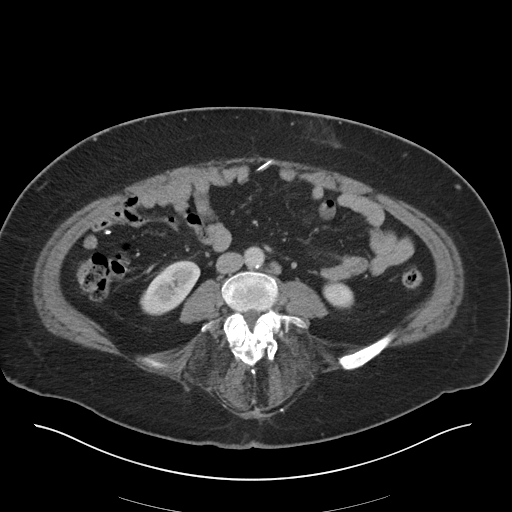
One axial slice (5 of 36, counting up from the lowest) of an arterial-phase abdominal CT acquired with 140 kVp, kernel I30f; each pixel is 0.906 mm and the slice is 5.00 mm thick.
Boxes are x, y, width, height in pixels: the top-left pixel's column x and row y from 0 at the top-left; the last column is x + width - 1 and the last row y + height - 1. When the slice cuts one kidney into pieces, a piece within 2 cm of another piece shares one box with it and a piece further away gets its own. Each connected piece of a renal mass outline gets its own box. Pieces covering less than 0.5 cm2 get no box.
Two kidney boxes on this slice; by box centre, from the image's left to its right: (1) Right kidney, box x 139, y 260, width 62, height 56 (outlined area 2,142 px, about 17.6 cm2). (2) Box x 322, y 280, width 33, height 30: left kidney (outlined area 718 px, about 5.9 cm2). No renal mass is outlined on this slice.